Contrast-enhanced abdominal CT, axial slice 295 of 439 (counted from the lowest slice); tube voltage 100 kVp, convolution kernel I40f; slices 2.00 mm thick, 0.850 mm per pixel.
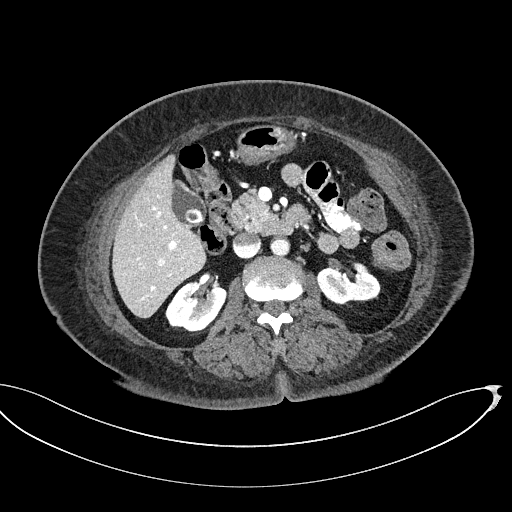
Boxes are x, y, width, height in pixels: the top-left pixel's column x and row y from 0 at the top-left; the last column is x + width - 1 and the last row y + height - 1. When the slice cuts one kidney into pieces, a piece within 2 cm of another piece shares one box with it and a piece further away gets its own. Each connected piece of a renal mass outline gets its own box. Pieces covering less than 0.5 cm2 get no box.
Two boxes on this slice (two kidney boxes), listed by box centre from the image's left to its right. (1) Right kidney at x 165, y 281, width 62, height 53 (outlined area 2,286 px, about 16.5 cm2). (2) Left kidney, box x 317, y 264, width 64, height 43 (outlined area 1,970 px, about 14.2 cm2). This slice carries no renal mass outline.